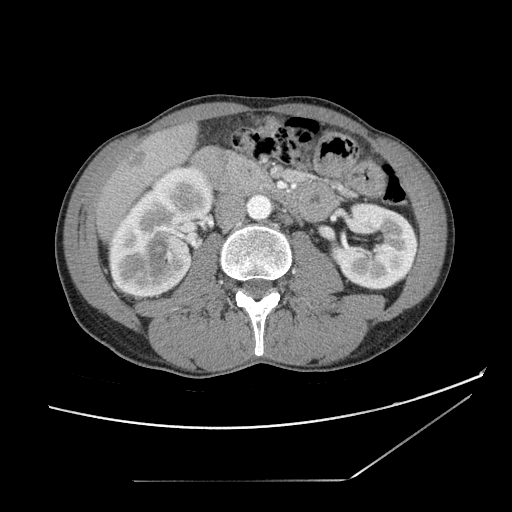
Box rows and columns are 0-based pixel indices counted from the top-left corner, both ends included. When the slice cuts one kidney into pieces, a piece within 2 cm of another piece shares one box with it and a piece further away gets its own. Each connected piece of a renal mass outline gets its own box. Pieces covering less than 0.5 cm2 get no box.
Slice 55/121 of a contrast-enhanced abdominal CT, counting up from the lowest; pixel size 0.742 mm, slice thickness 2.50 mm. Boxed on this slice (two kidney boxes), listed by box centre from the image's left to its right: (1) Box rows 165–300, columns 108–215: right kidney (outlined area 9,594 px, about 52.8 cm2). (2) Left kidney, box rows 201–291, columns 331–417 (outlined area 5,633 px, about 31.0 cm2).
Scan settings: 120 kVp, STANDARD reconstruction kernel.